Contrast-enhanced abdominal CT, axial slice 479 of 787 (counted from the lowest slice); tube voltage 140 kVp, convolution kernel I30f; slices 1.00 mm thick, 0.910 mm per pixel.
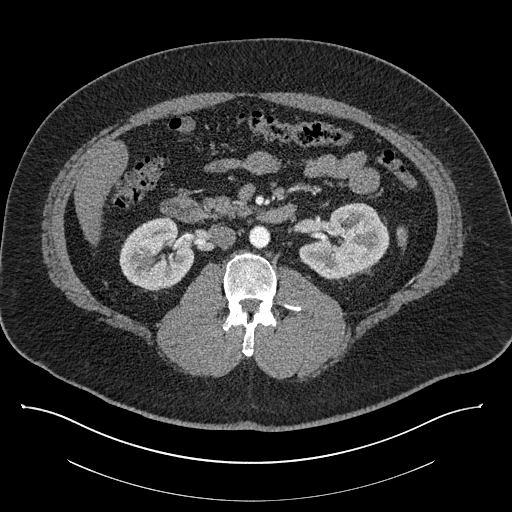
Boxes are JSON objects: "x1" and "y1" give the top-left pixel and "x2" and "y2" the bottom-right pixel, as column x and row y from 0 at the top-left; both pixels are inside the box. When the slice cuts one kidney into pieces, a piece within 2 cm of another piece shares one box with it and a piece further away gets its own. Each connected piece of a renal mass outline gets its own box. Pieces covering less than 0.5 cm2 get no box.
Two boxes on this slice (two kidney boxes), listed by box centre from the image's left to its right. (1) Box {"x1": 119, "y1": 216, "x2": 193, "y2": 291}: right kidney (outlined area 4,082 px, about 33.8 cm2). (2) Box {"x1": 298, "y1": 202, "x2": 389, "y2": 279}: left kidney (outlined area 4,841 px, about 40.1 cm2). This slice carries no renal mass outline.